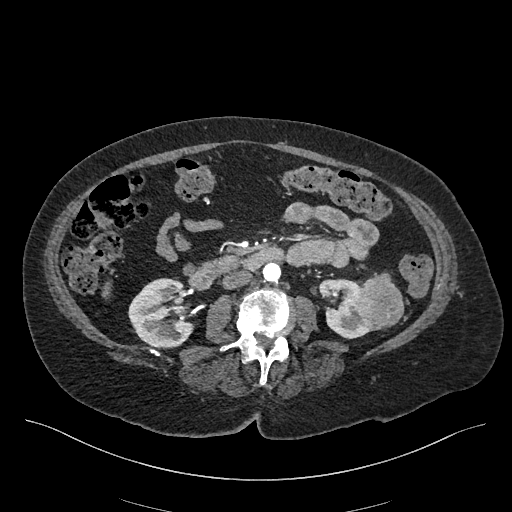
Arterial-phase contrast-enhanced abdominal CT, axial slice 222 of 548 (counted from the lowest slice); tube voltage 120 kVp, convolution kernel I26f; slices 1.00 mm thick, 0.852 mm per pixel.
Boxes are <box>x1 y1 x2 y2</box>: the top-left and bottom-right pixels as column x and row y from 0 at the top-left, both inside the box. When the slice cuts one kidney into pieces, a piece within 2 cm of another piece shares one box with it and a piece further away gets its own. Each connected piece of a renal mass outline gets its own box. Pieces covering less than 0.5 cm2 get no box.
Two kidney boxes and one renal mass box on this slice; by box centre, from the image's left to its right: (1) At <box>128 278 194 348</box>: right kidney (outlined area 3,486 px, about 25.3 cm2). (2) Left kidney at <box>317 278 370 338</box> (outlined area 2,008 px, about 14.6 cm2). (3) At <box>355 272 404 330</box>: left renal mass (outlined area 2,128 px, about 15.4 cm2).